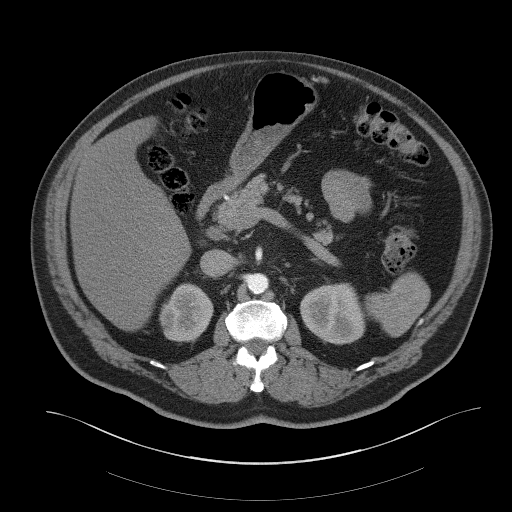
Abdominal CT with intravenous contrast, axial plane, 140 kVp, kernel B41f. Slice 35/61 from the bottom of the scan; thickness 3.00 mm; pixel size 0.939 mm.
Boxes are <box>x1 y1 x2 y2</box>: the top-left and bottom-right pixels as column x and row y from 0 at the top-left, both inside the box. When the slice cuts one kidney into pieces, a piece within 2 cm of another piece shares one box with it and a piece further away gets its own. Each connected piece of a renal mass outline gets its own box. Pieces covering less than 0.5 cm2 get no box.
Two kidney boxes on this slice; by box centre, from the image's left to its right: (1) Right kidney: <box>159 283 213 342</box> (outlined area 2,410 px, about 21.3 cm2). (2) Left kidney at <box>300 283 365 344</box> (outlined area 3,192 px, about 28.2 cm2). This slice carries no renal mass outline.